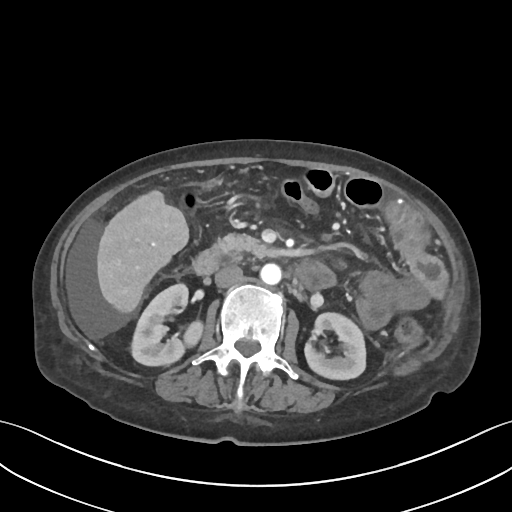
Abdominal CT with intravenous contrast, axial plane, 120 kVp, kernel I30f. Slice 38/109 from the bottom of the scan; thickness 3.00 mm; pixel size 0.742 mm.
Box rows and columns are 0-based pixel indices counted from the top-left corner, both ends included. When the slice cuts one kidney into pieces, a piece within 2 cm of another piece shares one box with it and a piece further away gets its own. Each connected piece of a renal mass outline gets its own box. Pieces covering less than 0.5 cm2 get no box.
Two boxes on this slice (two kidney boxes), listed by box centre from the image's left to its right. (1) Box rows 282–366, columns 131–203: right kidney (outlined area 3,980 px, about 21.9 cm2). (2) Box rows 311–380, columns 304–366: left kidney (outlined area 3,409 px, about 18.8 cm2). No renal mass is outlined on this slice.